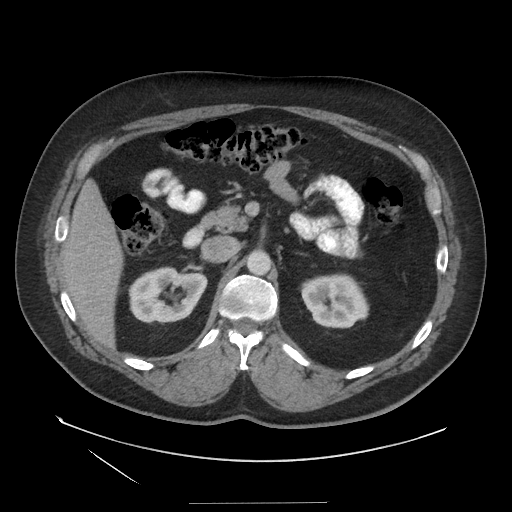
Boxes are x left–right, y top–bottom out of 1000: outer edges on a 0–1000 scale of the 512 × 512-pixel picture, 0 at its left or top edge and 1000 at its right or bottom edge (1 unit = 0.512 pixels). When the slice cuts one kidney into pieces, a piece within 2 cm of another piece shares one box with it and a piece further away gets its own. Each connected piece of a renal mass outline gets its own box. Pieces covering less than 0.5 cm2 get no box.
This is axial slice 89 of 129 (slice 1 is the lowest) of an arterial-phase abdominal CT with contrast; each pixel is 0.938 mm and the slice is 3.75 mm thick. Two boxes on this slice (two kidney boxes), listed by box centre from the image's left to its right. (1) Right kidney at x 250–406, y 520–635 out of 1000 (outlined area 3,457 px, about 30.4 cm2). (2) Left kidney at x 586–723, y 533–643 out of 1000 (outlined area 2,973 px, about 26.1 cm2). This slice carries no renal mass outline.
Tube voltage 140 kVp; convolution kernel STANDARD.